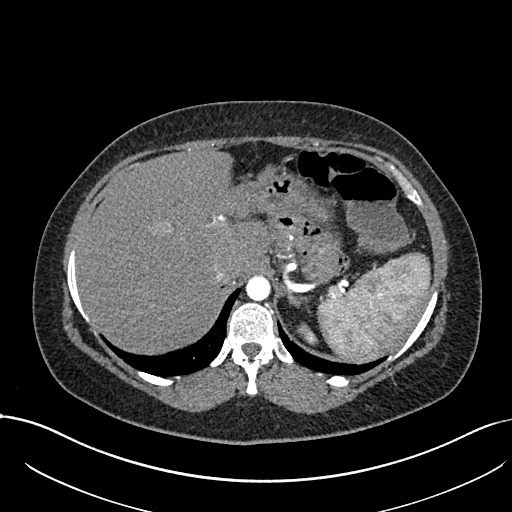
One axial slice (579 of 738, counting up from the lowest) of an arterial-phase abdominal CT acquired with 120 kVp, kernel I30f; each pixel is 0.789 mm and the slice is 1.00 mm thick.
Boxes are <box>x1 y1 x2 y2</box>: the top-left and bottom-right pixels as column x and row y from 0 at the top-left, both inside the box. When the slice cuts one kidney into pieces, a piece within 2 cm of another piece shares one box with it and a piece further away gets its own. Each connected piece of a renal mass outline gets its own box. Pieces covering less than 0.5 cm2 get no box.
Left kidney at <box>296 322 318 344</box> (outlined area 286 px, about 1.8 cm2). This slice carries no renal mass outline.